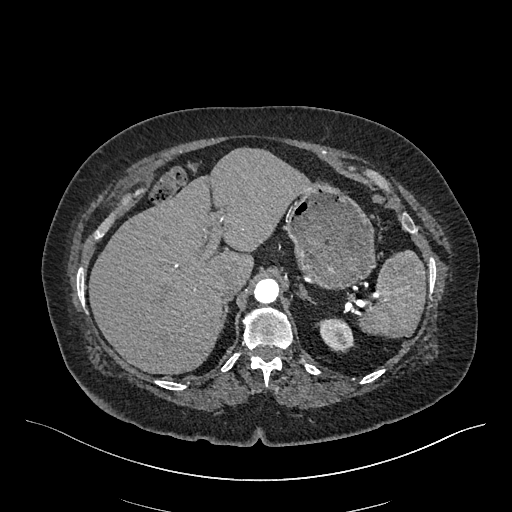
One axial slice (363 of 548, counting up from the lowest) of an arterial-phase abdominal CT acquired with 120 kVp, kernel I26f; each pixel is 0.852 mm and the slice is 1.00 mm thick.
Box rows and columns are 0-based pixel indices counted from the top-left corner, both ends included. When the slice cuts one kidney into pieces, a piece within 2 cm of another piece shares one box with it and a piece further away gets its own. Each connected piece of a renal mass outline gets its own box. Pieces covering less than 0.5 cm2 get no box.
Left kidney at rows 317–351, columns 316–354 (outlined area 934 px, about 6.8 cm2). No renal mass outline on this slice.